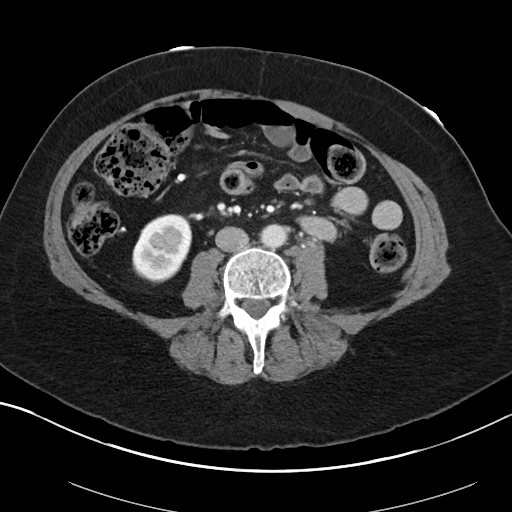
Abdominal CT with intravenous contrast, arterial phase, axial plane, 100 kVp, kernel I40f. Slice 45/88 from the bottom of the scan; thickness 5.00 mm; pixel size 0.705 mm.
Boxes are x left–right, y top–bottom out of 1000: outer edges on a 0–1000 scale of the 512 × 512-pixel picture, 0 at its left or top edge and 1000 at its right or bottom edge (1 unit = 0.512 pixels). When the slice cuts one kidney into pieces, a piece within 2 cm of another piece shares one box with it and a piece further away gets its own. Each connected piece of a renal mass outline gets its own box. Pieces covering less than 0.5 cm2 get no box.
Right kidney at x 258–377, y 418–555 out of 1000 (outlined area 3,134 px, about 15.6 cm2). This slice carries no renal mass outline.